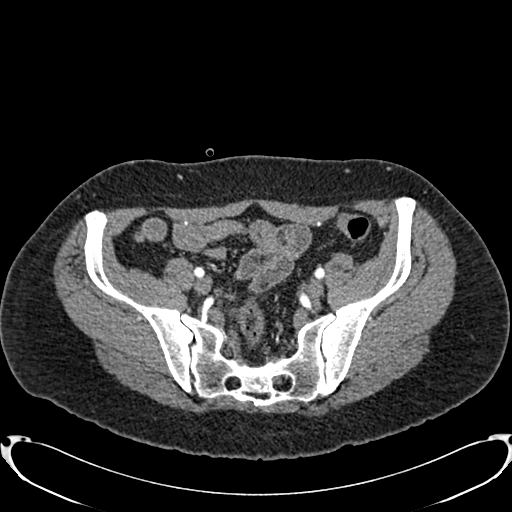
Arterial-phase contrast-enhanced abdominal CT, axial slice 139 of 719 (counted from the lowest slice); 1.00 mm thick, 0.766 mm per pixel. Neither a kidney nor a renal mass is outlined here. Only kidneys and renal masses are outlined anywhere in this scan; other structures are never outlined.
Tube voltage 120 kVp; convolution kernel B20f.